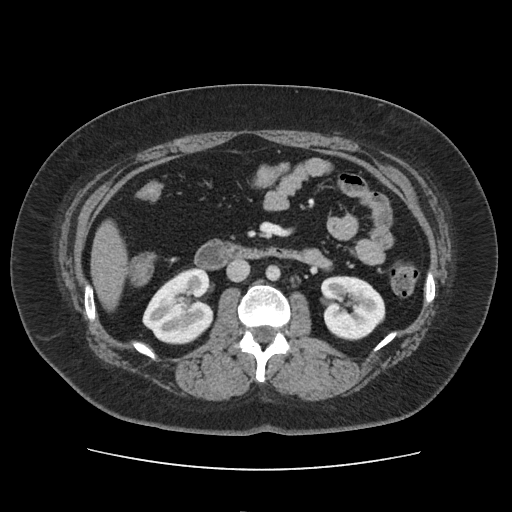
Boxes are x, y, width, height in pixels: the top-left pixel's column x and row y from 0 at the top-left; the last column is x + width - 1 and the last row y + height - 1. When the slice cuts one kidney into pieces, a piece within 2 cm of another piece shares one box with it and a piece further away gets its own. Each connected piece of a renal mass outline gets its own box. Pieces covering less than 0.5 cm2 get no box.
This is axial slice 66 of 103 (slice 1 is the lowest) of an arterial-phase abdominal CT with contrast; each pixel is 0.873 mm and the slice is 5.00 mm thick. Two kidney boxes on this slice; by box centre, from the image's left to its right: (1) Box x 142, y 266, width 73, height 79: right kidney (outlined area 4,021 px, about 30.6 cm2). (2) Left kidney at x 320, y 276, width 66, height 65 (outlined area 3,338 px, about 25.4 cm2). No renal mass is outlined on this slice.
Scan settings: 120 kVp, FC19 reconstruction kernel.